Axial slice 69 of 325 of a contrast-enhanced abdominal CT in the arterial phase (slice 1 is the lowest), 100 kVp, kernel I30f; 1.00 mm slice thickness and 0.703 mm pixels.
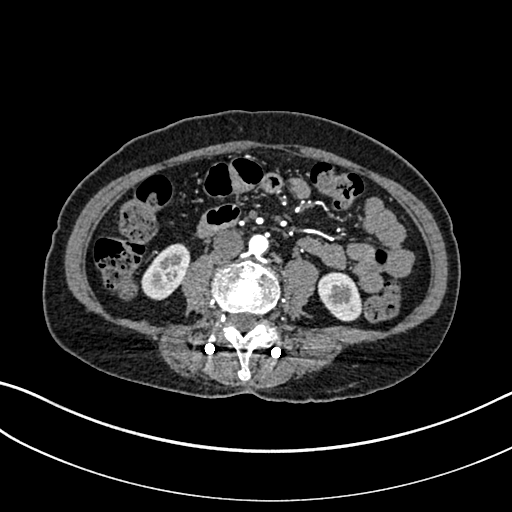
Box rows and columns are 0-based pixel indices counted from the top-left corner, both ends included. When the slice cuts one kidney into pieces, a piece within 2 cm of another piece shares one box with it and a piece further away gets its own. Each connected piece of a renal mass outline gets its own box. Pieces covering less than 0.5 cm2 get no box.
Two kidney boxes on this slice; by box centre, from the image's left to its right: (1) Right kidney, box rows 243–300, columns 141–190 (outlined area 1,901 px, about 9.4 cm2). (2) Box rows 272–321, columns 317–363: left kidney (outlined area 1,682 px, about 8.3 cm2). No renal mass is outlined on this slice.